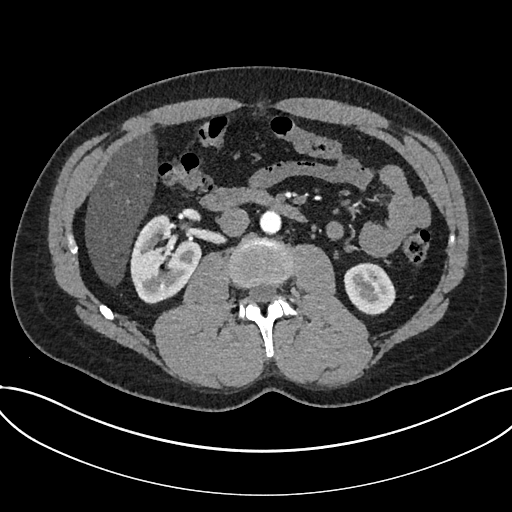
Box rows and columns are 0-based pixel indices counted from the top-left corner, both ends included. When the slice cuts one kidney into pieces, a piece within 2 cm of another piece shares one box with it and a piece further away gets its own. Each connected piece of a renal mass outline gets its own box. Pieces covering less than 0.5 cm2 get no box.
Arterial-phase contrast-enhanced abdominal CT, axial slice 384 of 735 (counted from the lowest slice); 1.00 mm thick, 0.789 mm per pixel. Boxed on this slice (two kidney boxes), listed by box centre from the image's left to its right: (1) Kidney at rows 214–304, columns 130–201 (outlined area 4,392 px, about 27.3 cm2). (2) Kidney, box rows 262–315, columns 343–395 (outlined area 2,097 px, about 13.1 cm2). No renal mass is outlined on this slice.
Tube voltage 120 kVp; convolution kernel I30f.